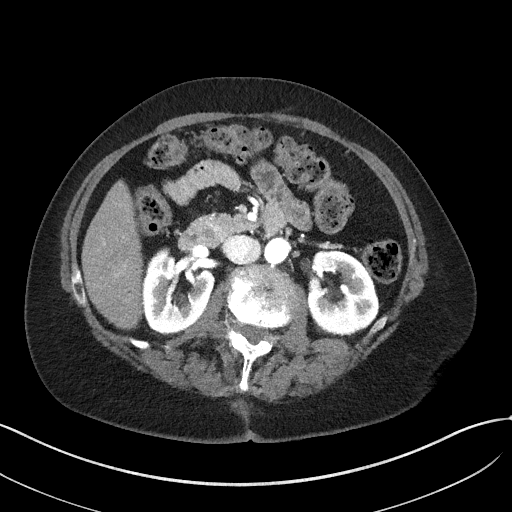
Axial slice 25 of 50 of a contrast-enhanced abdominal CT in the arterial phase (slice 1 is the lowest), 100 kVp, kernel I41f; 3.00 mm slice thickness and 0.758 mm pixels.
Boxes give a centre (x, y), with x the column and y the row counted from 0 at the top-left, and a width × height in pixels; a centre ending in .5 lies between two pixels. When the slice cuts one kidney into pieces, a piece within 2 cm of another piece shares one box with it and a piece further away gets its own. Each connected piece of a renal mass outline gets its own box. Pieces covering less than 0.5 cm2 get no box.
Two boxes on this slice (two kidney boxes), listed by box centre from the image's left to its right. (1) Right kidney in a box with centre (179, 293), 71 × 81 pixels (outlined area 4,056 px, about 23.3 cm2). (2) Left kidney in a box with centre (343, 291.5), 71 × 86 pixels (outlined area 4,576 px, about 26.3 cm2). No renal mass outline on this slice.